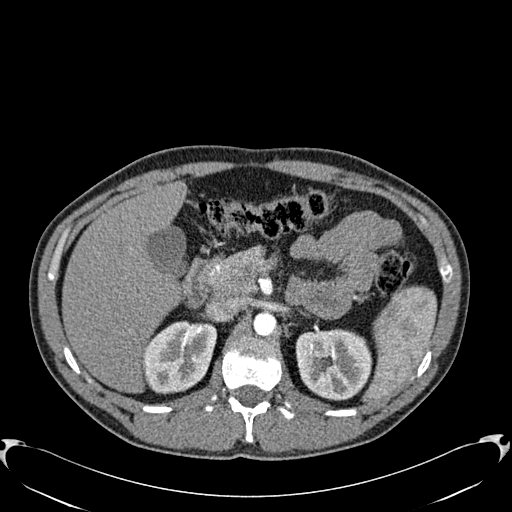
One axial slice (403 of 512, counting up from the lowest) of an arterial-phase abdominal CT acquired with 120 kVp, kernel B30f; each pixel is 0.771 mm and the slice is 1.00 mm thick.
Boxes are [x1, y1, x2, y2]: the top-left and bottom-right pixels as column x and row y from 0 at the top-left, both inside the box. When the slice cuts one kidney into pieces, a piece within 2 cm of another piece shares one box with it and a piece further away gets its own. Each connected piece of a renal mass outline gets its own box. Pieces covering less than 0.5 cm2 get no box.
Boxed on this slice (two kidney boxes), listed by box centre from the image's left to its right: (1) Right kidney, box [143, 321, 216, 394] (outlined area 4,138 px, about 24.6 cm2). (2) Box [295, 328, 372, 400]: left kidney (outlined area 4,462 px, about 26.6 cm2). No renal mass is outlined on this slice.